Axial slice 473 of 834 of a contrast-enhanced abdominal CT (slice 1 is the lowest), 140 kVp, kernel I30f; 1.00 mm slice thickness and 0.977 mm pixels.
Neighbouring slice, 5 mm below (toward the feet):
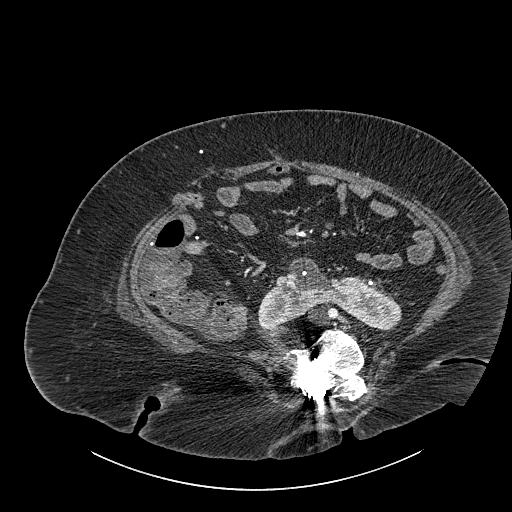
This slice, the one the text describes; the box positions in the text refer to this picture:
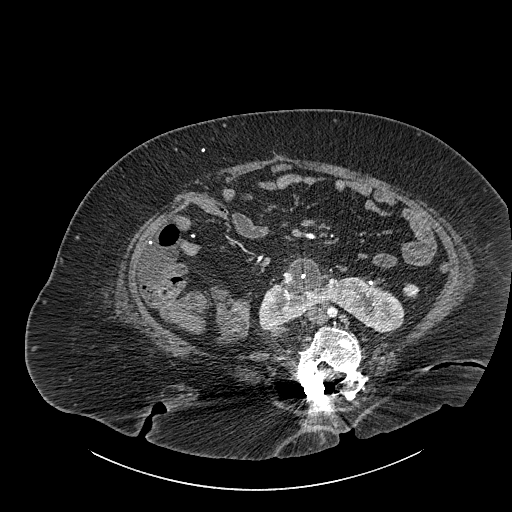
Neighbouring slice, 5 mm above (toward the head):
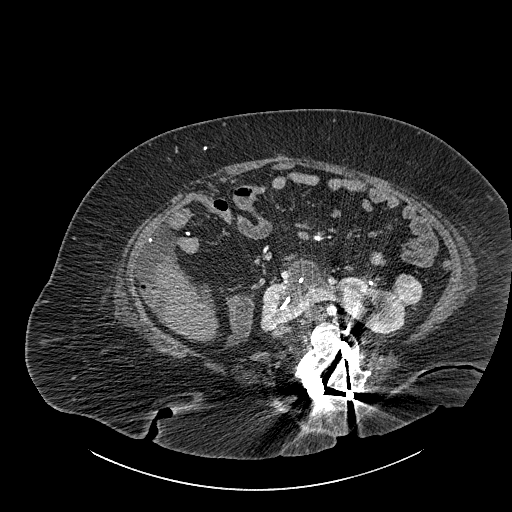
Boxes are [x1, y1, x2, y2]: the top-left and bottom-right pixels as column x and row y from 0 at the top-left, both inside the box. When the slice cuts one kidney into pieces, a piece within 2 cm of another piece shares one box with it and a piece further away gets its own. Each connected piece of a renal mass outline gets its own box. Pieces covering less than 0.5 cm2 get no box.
One kidney box and one renal mass box on this slice; by box centre, from the image's left to its right: (1) Box [258, 256, 404, 333]: kidney crossing the body midline (outlined area 5,813 px, about 55.4 cm2). (2) Renal mass, box [403, 283, 418, 298] (outlined area 201 px, about 1.9 cm2). This slice is near the end of a renal mass toward the feet, so the slices 5 mm below and 5 mm above it are shown as well; the boxes refer to this slice only.